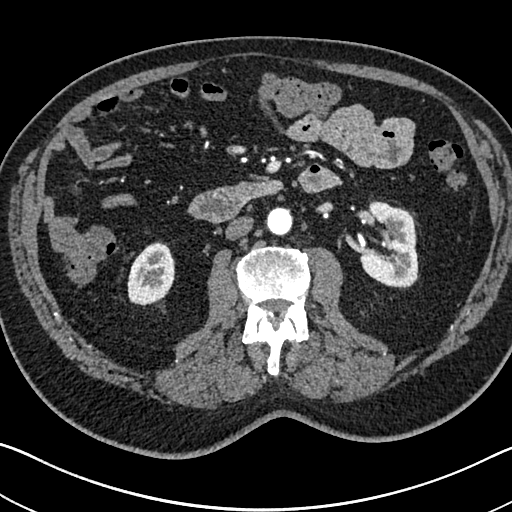
One axial slice (383 of 705, counting up from the lowest) of an arterial-phase abdominal CT acquired with 120 kVp, kernel I30f; each pixel is 0.703 mm and the slice is 1.00 mm thick.
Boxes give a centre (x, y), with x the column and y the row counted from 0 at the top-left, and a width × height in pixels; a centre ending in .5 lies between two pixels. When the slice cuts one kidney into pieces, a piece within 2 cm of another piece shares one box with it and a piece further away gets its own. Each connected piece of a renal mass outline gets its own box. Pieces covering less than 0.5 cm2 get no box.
Two boxes on this slice (two kidney boxes), listed by box centre from the image's left to its right. (1) Right kidney in a box with centre (151, 273), 49 × 65 pixels (outlined area 2,343 px, about 11.6 cm2). (2) Left kidney in a box with centre (388.5, 244.5), 60 × 88 pixels (outlined area 3,856 px, about 19.1 cm2). No renal mass outline on this slice.